One axial slice (248 of 383, counting up from the lowest) of an arterial-phase abdominal CT acquired with 100 kVp, kernel SOFT; each pixel is 0.898 mm and the slice is 1.25 mm thick.
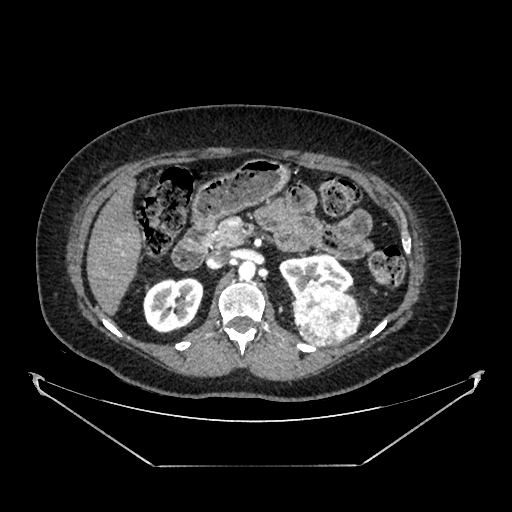
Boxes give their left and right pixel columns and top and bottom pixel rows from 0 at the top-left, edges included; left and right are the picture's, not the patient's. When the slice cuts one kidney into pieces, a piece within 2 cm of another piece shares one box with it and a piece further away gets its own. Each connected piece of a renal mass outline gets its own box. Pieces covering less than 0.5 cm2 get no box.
Two kidney boxes and one renal mass box on this slice; by box centre, from the image's left to its right: (1) Box with left 143, top 277, right 203, bottom 333: right kidney (outlined area 2,709 px, about 21.9 cm2). (2) Left kidney, the box with left 279, top 253, right 352, bottom 297 (outlined area 2,102 px, about 17.0 cm2). (3) Left renal mass, the box with left 292, top 284, right 361, bottom 347 (outlined area 3,391 px, about 27.4 cm2).